One axial slice (260 of 439, counting up from the lowest) of a contrast-enhanced abdominal CT acquired with 100 kVp, kernel I40f; each pixel is 0.850 mm and the slice is 2.00 mm thick.
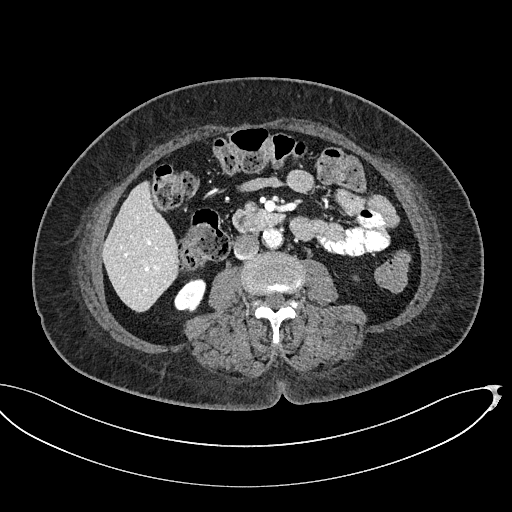
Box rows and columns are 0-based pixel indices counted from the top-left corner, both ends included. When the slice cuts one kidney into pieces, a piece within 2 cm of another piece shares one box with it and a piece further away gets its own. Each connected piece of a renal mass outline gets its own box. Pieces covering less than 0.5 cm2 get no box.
Box rows 278–312, columns 174–206: right kidney (outlined area 802 px, about 5.8 cm2). This slice carries no renal mass outline.